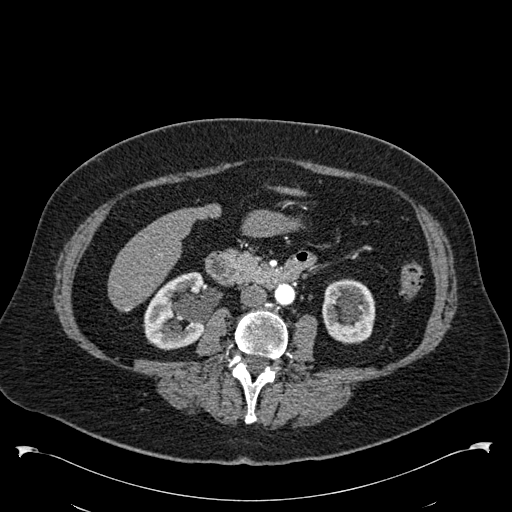
Arterial-phase contrast-enhanced abdominal CT, axial slice 277 of 538 (counted from the lowest slice); tube voltage 120 kVp, convolution kernel B30f; slices 1.00 mm thick, 0.811 mm per pixel.
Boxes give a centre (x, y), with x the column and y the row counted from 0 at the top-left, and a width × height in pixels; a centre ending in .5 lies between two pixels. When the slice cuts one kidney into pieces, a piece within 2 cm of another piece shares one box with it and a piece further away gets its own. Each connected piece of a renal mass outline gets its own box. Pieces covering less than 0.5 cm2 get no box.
Two boxes on this slice (two kidney boxes), listed by box centre from the image's left to its right. (1) Right kidney, box centre (173, 310.5), 61 × 80 pixels (outlined area 3,666 px, about 24.1 cm2). (2) Left kidney in a box with centre (348.5, 311), 54 × 65 pixels (outlined area 2,869 px, about 18.8 cm2). This slice carries no renal mass outline.